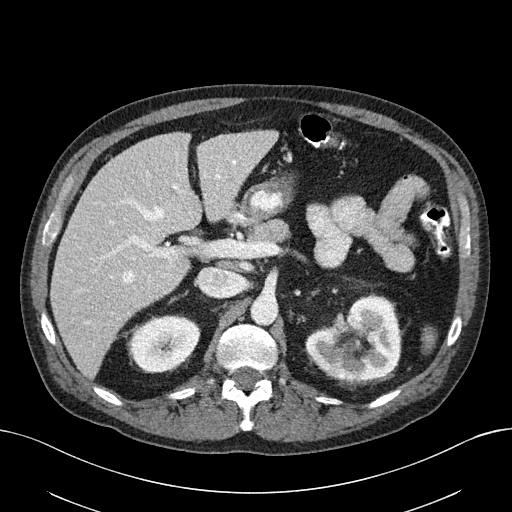
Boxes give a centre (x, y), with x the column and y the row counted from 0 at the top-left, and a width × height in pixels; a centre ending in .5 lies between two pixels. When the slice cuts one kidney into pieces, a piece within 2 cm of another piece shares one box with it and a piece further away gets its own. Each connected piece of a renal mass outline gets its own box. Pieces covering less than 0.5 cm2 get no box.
This is axial slice 123 of 163 (slice 1 is the lowest) of an abdominal CT with contrast; each pixel is 0.799 mm and the slice is 3.00 mm thick. Two boxes on this slice (two kidney boxes), listed by box centre from the image's left to its right. (1) Right kidney, box centre (164, 343.5), 73 × 58 pixels (outlined area 3,212 px, about 20.5 cm2). (2) Box centre (353, 339), 97 × 91 pixels: left kidney (outlined area 6,058 px, about 38.7 cm2). No renal mass is outlined on this slice.
Acquired at 100 kVp and reconstructed with the I40f kernel.